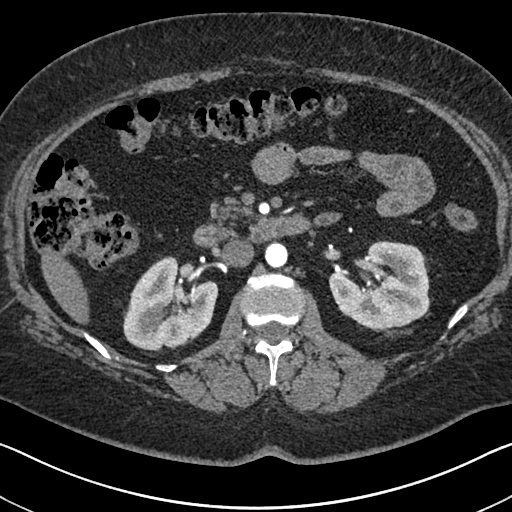
One axial slice (408 of 591, counting up from the lowest) of an arterial-phase abdominal CT acquired with 140 kVp, kernel I30f; each pixel is 0.703 mm and the slice is 1.00 mm thick.
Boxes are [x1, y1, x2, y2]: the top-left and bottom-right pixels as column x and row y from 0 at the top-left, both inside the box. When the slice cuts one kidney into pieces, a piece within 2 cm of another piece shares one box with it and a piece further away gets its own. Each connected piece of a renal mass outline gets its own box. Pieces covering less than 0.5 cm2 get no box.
Two boxes on this slice (two kidney boxes), listed by box centre from the image's left to its right. (1) Right kidney, box [123, 256, 218, 351] (outlined area 6,345 px, about 31.4 cm2). (2) Left kidney, box [329, 241, 430, 331] (outlined area 6,633 px, about 32.8 cm2). No renal mass outline on this slice.